Axial slice 339 of 735 of a contrast-enhanced abdominal CT in the arterial phase (slice 1 is the lowest), 120 kVp, kernel I30f; 1.00 mm slice thickness and 0.789 mm pixels.
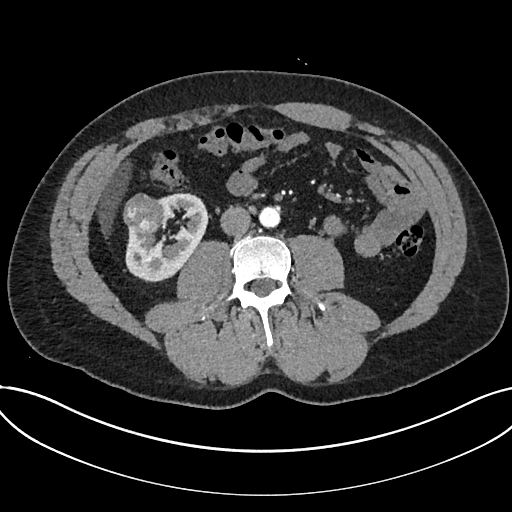
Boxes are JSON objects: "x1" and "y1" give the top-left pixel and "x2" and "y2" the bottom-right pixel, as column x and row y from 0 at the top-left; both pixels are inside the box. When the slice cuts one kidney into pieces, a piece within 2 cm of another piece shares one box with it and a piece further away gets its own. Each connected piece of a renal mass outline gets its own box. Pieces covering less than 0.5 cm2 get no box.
Boxed on this slice (one kidney box and one renal mass box), listed by box centre from the image's left to its right: (1) Renal mass at {"x1": 123, "y1": 193, "x2": 165, "y2": 234} (outlined area 1,347 px, about 8.4 cm2). (2) Kidney at {"x1": 125, "y1": 193, "x2": 207, "y2": 282} (outlined area 4,300 px, about 26.8 cm2).